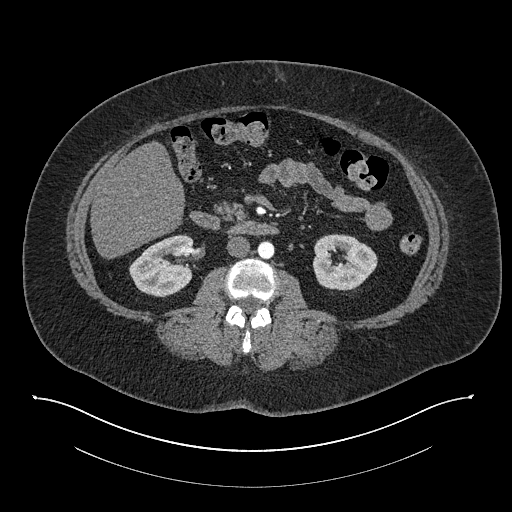
Arterial-phase contrast-enhanced abdominal CT, axial slice 418 of 673 (counted from the lowest slice); tube voltage 140 kVp, convolution kernel I30f; slices 1.00 mm thick, 0.957 mm per pixel.
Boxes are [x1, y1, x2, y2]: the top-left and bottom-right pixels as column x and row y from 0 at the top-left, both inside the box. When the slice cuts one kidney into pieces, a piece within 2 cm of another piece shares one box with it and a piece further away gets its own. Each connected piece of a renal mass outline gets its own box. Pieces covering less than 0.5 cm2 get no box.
Boxed on this slice (two kidney boxes), listed by box centre from the image's left to its right: (1) Box [129, 234, 194, 297]: right kidney (outlined area 3,001 px, about 27.5 cm2). (2) Box [312, 234, 377, 290]: left kidney (outlined area 2,834 px, about 26.0 cm2). No renal mass is outlined on this slice.